Abdominal CT with intravenous contrast, axial plane, 120 kVp, kernel B31f. Slice 50/146 from the bottom of the scan; thickness 5.00 mm; pixel size 0.742 mm.
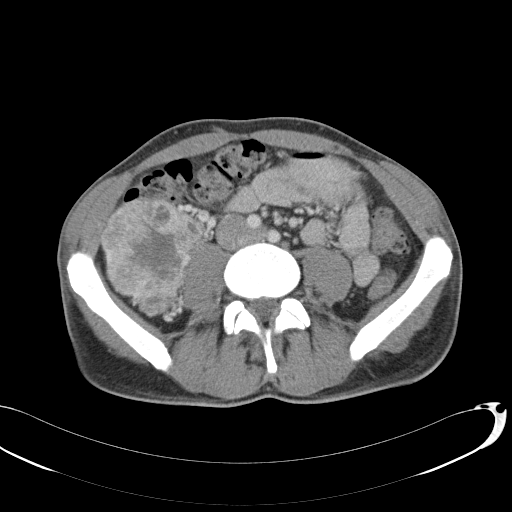
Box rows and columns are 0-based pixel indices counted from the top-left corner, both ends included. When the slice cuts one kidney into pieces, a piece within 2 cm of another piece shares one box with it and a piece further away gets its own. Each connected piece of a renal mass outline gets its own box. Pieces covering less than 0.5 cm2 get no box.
Right renal mass, box rows 199–317, columns 101–203 (outlined area 8,650 px, about 47.6 cm2); no kidney outline appears on this slice, but the same outlined renal mass comes within 1 cm of the kidney on another slice.